Axial slice 67 of 101 of a contrast-enhanced abdominal CT (slice 1 is the lowest), 100 kVp, kernel I40f; 5.00 mm slice thickness and 0.879 mm pixels.
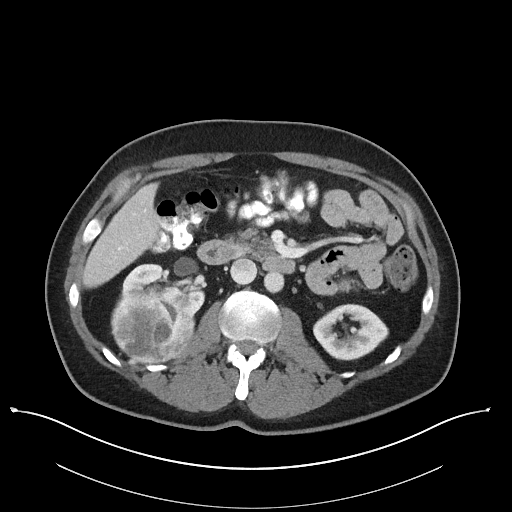
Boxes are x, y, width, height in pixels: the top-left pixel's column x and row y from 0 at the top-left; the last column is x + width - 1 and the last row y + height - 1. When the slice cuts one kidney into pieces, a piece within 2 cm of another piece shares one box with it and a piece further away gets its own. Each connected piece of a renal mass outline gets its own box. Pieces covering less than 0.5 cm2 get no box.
Three boxes on this slice (two kidney boxes and one renal mass box), listed by box centre from the image's left to its right. (1) Box x 110, y 286, width 85, height 78: right renal mass (outlined area 5,233 px, about 40.4 cm2). (2) Right kidney at x 118, y 263, width 88, height 51 (outlined area 1,685 px, about 13.0 cm2). (3) Left kidney, box x 313, y 303, width 76, height 58 (outlined area 2,966 px, about 22.9 cm2).